Axial slice 177 of 349 of a contrast-enhanced abdominal CT in the arterial phase (slice 1 is the lowest), 120 kVp, kernel STANDARD; 1.25 mm slice thickness and 0.742 mm pixels.
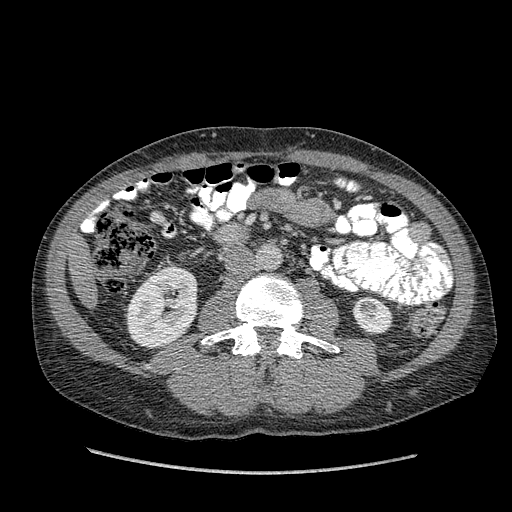
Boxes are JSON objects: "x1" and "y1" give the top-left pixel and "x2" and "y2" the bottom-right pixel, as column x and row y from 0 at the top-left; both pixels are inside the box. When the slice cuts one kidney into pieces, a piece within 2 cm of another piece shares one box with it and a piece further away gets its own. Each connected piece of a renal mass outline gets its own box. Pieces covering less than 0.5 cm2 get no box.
Two kidney boxes and one renal mass box on this slice; by box centre, from the image's left to its right: (1) Right kidney at {"x1": 126, "y1": 265, "x2": 197, "y2": 349} (outlined area 4,598 px, about 25.3 cm2). (2) Left renal mass, box {"x1": 358, "y1": 300, "x2": 377, "y2": 318} (outlined area 289 px, about 1.6 cm2). (3) Left kidney, box {"x1": 352, "y1": 296, "x2": 392, "y2": 334} (outlined area 971 px, about 5.3 cm2).